Abdominal CT with intravenous contrast, axial plane, 120 kVp, kernel B30f. Slice 231/433 from the bottom of the scan; thickness 1.00 mm; pixel size 0.672 mm.
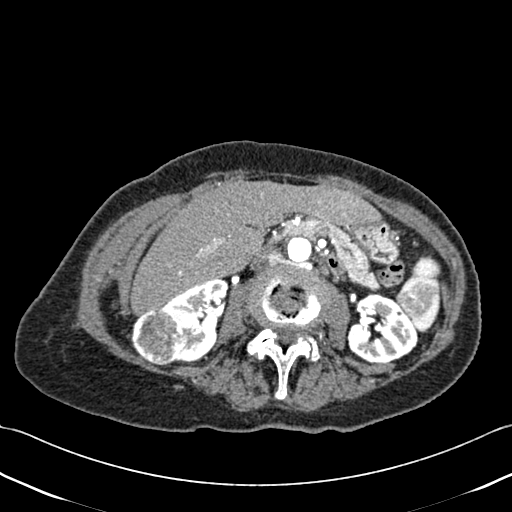
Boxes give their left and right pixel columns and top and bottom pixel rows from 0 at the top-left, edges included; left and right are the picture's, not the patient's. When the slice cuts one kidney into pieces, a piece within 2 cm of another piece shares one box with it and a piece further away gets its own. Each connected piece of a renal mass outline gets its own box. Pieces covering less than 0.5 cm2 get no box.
Two kidney boxes and one renal mass box on this slice; by box centre, from the image's left to its right: (1) Right renal mass in the box with left 131, top 307, right 181, bottom 365 (outlined area 2,277 px, about 10.3 cm2). (2) Box with left 162, top 279, right 229, bottom 362: right kidney (outlined area 3,316 px, about 15.0 cm2). (3) Left kidney, the box with left 345, top 293, right 418, bottom 363 (outlined area 3,630 px, about 16.4 cm2).